Arterial-phase contrast-enhanced abdominal CT, axial slice 11 of 32 (counted from the lowest slice); tube voltage 100 kVp, convolution kernel I40f; slices 5.00 mm thick, 0.779 mm per pixel.
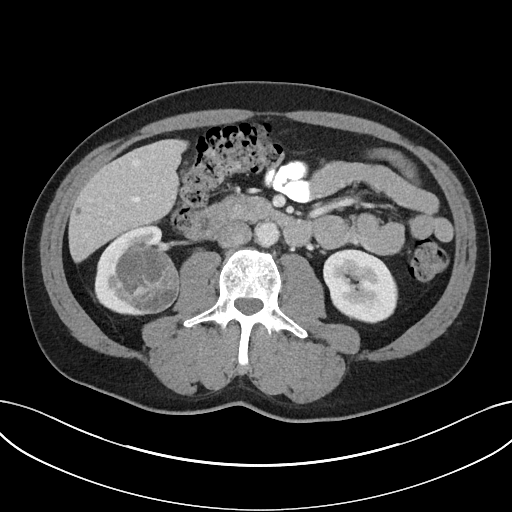
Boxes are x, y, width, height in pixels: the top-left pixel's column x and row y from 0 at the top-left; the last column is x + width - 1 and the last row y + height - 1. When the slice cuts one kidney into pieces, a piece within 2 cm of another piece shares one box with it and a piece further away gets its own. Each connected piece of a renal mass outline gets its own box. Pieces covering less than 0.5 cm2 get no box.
Two kidney boxes and one renal mass box on this slice; by box centre, from the image's left to its right: (1) Box x 94, y 224, width 69, height 92: right kidney (outlined area 2,520 px, about 15.3 cm2). (2) Right renal mass, box x 115, y 243, width 65, height 71 (outlined area 3,430 px, about 20.8 cm2). (3) Left kidney at x 323, y 249, width 76, height 75 (outlined area 4,314 px, about 26.2 cm2).